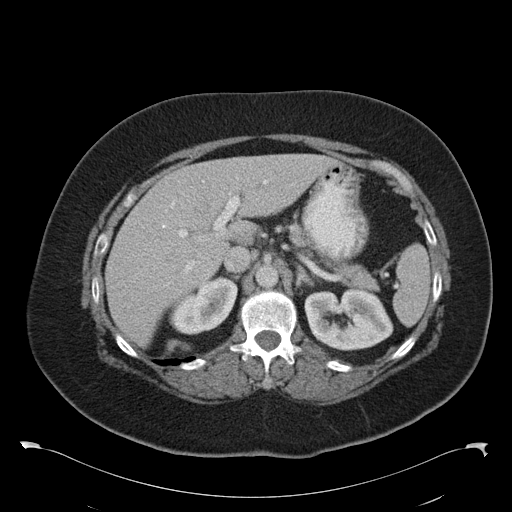
Abdominal CT with intravenous contrast, arterial phase, axial plane, 120 kVp, kernel B30f. Slice 71/97 from the bottom of the scan; thickness 5.00 mm; pixel size 0.824 mm.
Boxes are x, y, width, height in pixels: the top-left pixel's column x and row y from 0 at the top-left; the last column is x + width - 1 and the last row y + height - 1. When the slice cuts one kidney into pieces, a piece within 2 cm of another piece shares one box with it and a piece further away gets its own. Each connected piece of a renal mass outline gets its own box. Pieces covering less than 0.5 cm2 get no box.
Boxed on this slice (two kidney boxes), listed by box centre from the image's left to its right: (1) Box x 169, y 277, width 69, height 57: right kidney (outlined area 2,648 px, about 18.0 cm2). (2) Left kidney at x 304, y 288, width 90, height 63 (outlined area 4,319 px, about 29.3 cm2). No renal mass outline on this slice.